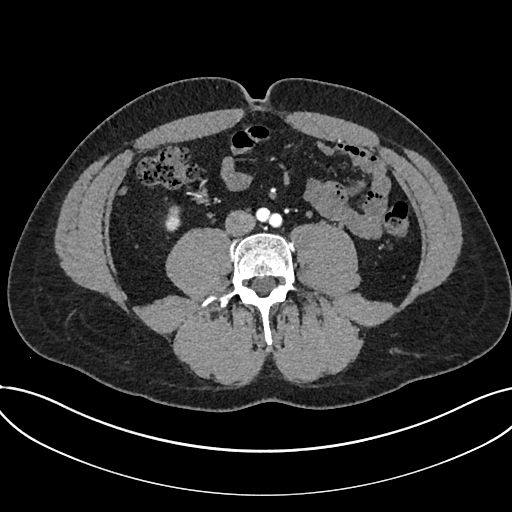
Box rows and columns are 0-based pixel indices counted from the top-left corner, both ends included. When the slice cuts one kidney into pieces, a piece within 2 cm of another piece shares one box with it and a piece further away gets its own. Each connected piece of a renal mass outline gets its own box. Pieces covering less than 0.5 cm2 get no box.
Slice 267/735 of a contrast-enhanced abdominal CT in the arterial phase, counting up from the lowest; pixel size 0.789 mm, slice thickness 1.00 mm. Kidney at rows 205–231, columns 164–180 (outlined area 342 px, about 2.1 cm2). No renal mass is outlined on this slice.
Tube voltage 120 kVp; convolution kernel I30f.